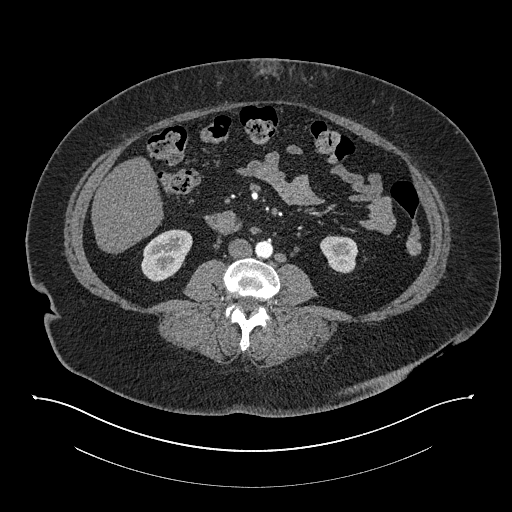
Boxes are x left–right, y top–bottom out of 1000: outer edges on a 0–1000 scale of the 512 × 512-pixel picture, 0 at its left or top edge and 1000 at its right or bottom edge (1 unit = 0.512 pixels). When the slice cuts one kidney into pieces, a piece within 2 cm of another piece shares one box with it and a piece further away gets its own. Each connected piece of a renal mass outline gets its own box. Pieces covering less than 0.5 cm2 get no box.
Slice 364/673 of a contrast-enhanced abdominal CT in the arterial phase, counting up from the lowest; pixel size 0.957 mm, slice thickness 1.00 mm. Two boxes on this slice (two kidney boxes), listed by box centre from the image's left to its right. (1) Box x 275–377, y 447–551 out of 1000: right kidney (outlined area 1,940 px, about 17.8 cm2). (2) Box x 625–701, y 459–535 out of 1000: left kidney (outlined area 1,108 px, about 10.1 cm2). No renal mass outline on this slice.
Tube voltage 140 kVp; convolution kernel I30f.